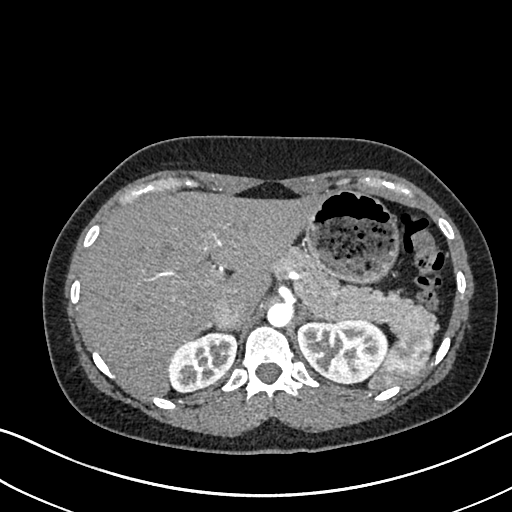
Axial slice 516 of 612 of a contrast-enhanced abdominal CT in the arterial phase (slice 1 is the lowest), 120 kVp, kernel I30f; 1.00 mm slice thickness and 0.703 mm pixels.
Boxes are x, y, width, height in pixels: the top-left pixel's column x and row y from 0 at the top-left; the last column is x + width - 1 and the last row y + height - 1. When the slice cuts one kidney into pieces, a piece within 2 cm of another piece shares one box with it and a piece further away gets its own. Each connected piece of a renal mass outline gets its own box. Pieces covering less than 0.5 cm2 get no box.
Boxed on this slice (two kidney boxes), listed by box centre from the image's left to its right: (1) Right kidney at x 167, y 330, width 70, height 63 (outlined area 3,099 px, about 15.3 cm2). (2) Box x 297, y 318, width 92, height 66: left kidney (outlined area 4,678 px, about 23.1 cm2). No renal mass is outlined on this slice.